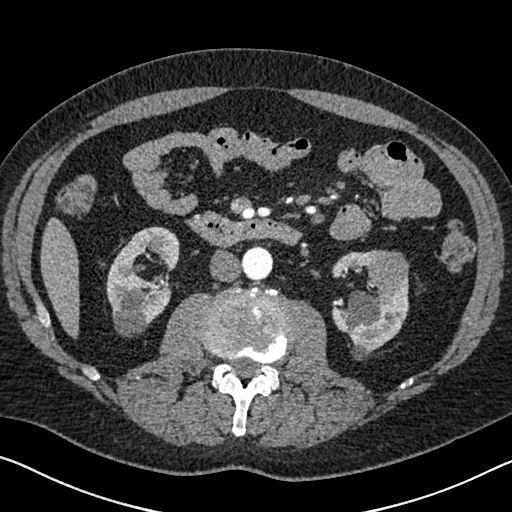
Axial slice 344 of 626 of a contrast-enhanced abdominal CT in the arterial phase (slice 1 is the lowest), 120 kVp, kernel I30f; 1.00 mm slice thickness and 0.703 mm pixels.
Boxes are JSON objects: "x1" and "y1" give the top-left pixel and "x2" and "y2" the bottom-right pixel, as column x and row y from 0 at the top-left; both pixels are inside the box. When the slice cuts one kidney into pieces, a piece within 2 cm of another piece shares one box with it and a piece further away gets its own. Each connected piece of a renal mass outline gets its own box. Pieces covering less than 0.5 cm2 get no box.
Three boxes on this slice (two kidney boxes and one renal mass box), listed by box centre from the image's left to its right. (1) Box {"x1": 106, "y1": 226, "x2": 179, "y2": 337}: right kidney (outlined area 5,273 px, about 26.1 cm2). (2) Left kidney, box {"x1": 331, "y1": 251, "x2": 409, "y2": 356} (outlined area 4,404 px, about 21.8 cm2). (3) Left renal mass at {"x1": 365, "y1": 250, "x2": 409, "y2": 295} (outlined area 1,564 px, about 7.7 cm2).